Axial slice 141 of 301 of a contrast-enhanced abdominal CT (slice 1 is the lowest), 120 kVp, kernel I40f; 2.00 mm slice thickness and 0.859 mm pixels.
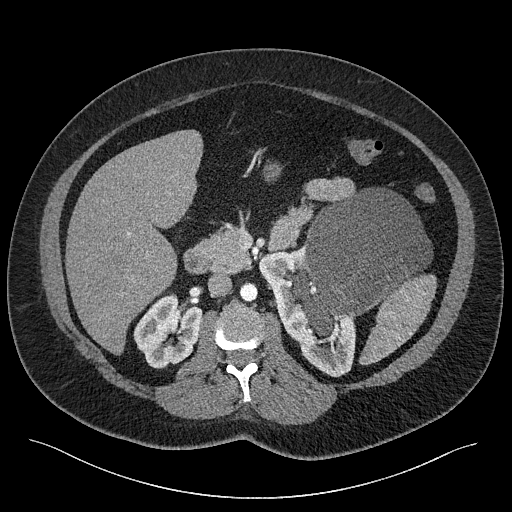
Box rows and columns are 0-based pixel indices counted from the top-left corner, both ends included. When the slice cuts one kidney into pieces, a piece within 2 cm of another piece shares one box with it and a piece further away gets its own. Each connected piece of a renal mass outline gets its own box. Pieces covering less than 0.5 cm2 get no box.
Boxed on this slice (two kidney boxes and one renal mass box), listed by box centre from the image's left to its right: (1) Right kidney at rows 293–368, columns 133–202 (outlined area 3,608 px, about 26.6 cm2). (2) Left kidney, box rows 246–377, columns 258–355 (outlined area 4,729 px, about 34.9 cm2). (3) Left renal mass at rows 188–338, columns 288–432 (outlined area 13,390 px, about 98.9 cm2).